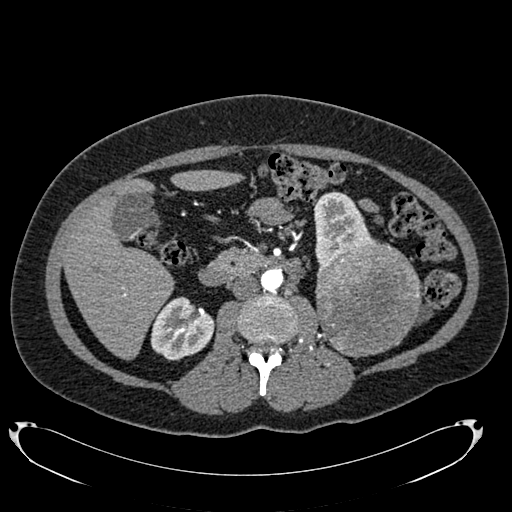
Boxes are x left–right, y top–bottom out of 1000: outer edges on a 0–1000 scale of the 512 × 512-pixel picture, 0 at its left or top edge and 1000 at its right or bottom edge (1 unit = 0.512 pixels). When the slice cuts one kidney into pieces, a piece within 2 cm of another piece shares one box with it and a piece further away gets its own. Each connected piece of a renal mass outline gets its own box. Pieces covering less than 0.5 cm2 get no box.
This is axial slice 404 of 634 (slice 1 is the lowest) of an arterial-phase abdominal CT with contrast; each pixel is 0.838 mm and the slice is 1.00 mm thick. Three boxes on this slice (two kidney boxes and one renal mass box), listed by box centre from the image's left to its right. (1) Right kidney, box x 293–420, y 578–705 out of 1000 (outlined area 2,984 px, about 20.9 cm2). (2) Left kidney, box x 613–740, y 373–529 out of 1000 (outlined area 2,918 px, about 20.5 cm2). (3) Left renal mass, box x 615–824, y 473–699 out of 1000 (outlined area 9,667 px, about 67.9 cm2).
Tube voltage 120 kVp; convolution kernel B20f.